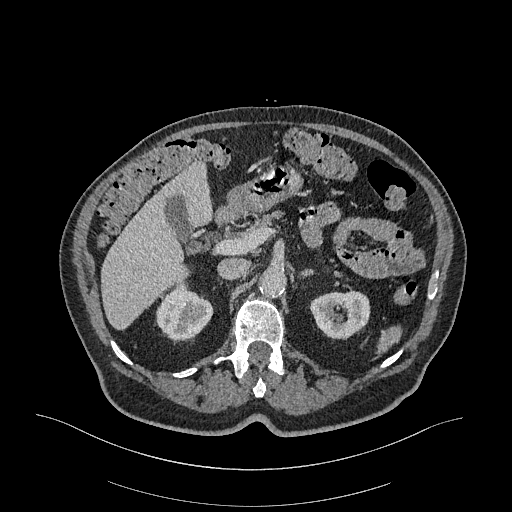
One axial slice (219 of 470, counting up from the lowest) of an arterial-phase abdominal CT acquired with 120 kVp, kernel I26f; each pixel is 0.938 mm and the slice is 1.00 mm thick.
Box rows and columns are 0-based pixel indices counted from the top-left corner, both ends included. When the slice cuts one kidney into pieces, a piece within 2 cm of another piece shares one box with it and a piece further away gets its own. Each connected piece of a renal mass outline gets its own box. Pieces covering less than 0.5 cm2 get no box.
Two boxes on this slice (two kidney boxes), listed by box centre from the image's left to its right. (1) Right kidney, box rows 290–340, columns 156–213 (outlined area 2,193 px, about 19.3 cm2). (2) Left kidney, box rows 290–339, columns 309–370 (outlined area 2,305 px, about 20.3 cm2). No renal mass is outlined on this slice.